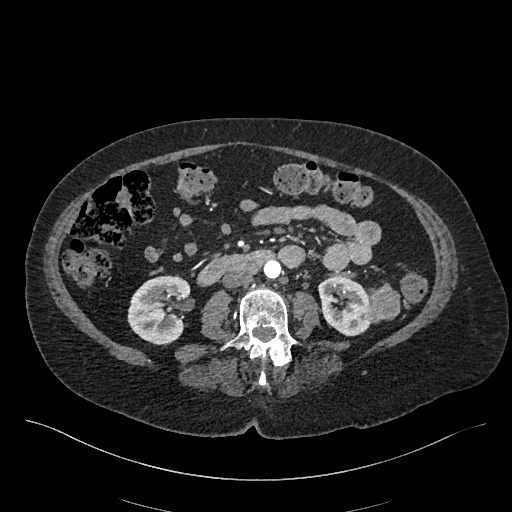
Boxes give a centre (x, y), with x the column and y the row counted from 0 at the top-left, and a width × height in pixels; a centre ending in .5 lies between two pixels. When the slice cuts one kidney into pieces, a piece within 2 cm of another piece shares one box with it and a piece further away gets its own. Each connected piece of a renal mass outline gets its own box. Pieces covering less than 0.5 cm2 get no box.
Slice 205/548 of a contrast-enhanced abdominal CT in the arterial phase, counting up from the lowest; pixel size 0.852 mm, slice thickness 1.00 mm. Three boxes on this slice (two kidney boxes and one renal mass box), listed by box centre from the image's left to its right. (1) Right kidney, box centre (158.5, 310), 64 × 71 pixels (outlined area 3,412 px, about 24.7 cm2). (2) Left kidney in a box with centre (344, 306), 53 × 61 pixels (outlined area 2,375 px, about 17.2 cm2). (3) Left renal mass in a box with centre (381.5, 302.5), 38 × 42 pixels (outlined area 1,061 px, about 7.7 cm2).
Scan settings: 120 kVp, I26f reconstruction kernel.